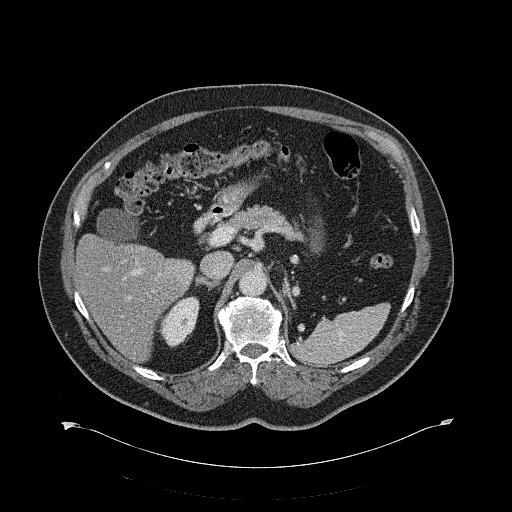
Axial slice 421 of 734 of a contrast-enhanced abdominal CT (slice 1 is the lowest), 120 kVp, kernel B31f; 2.00 mm slice thickness and 0.971 mm pixels.
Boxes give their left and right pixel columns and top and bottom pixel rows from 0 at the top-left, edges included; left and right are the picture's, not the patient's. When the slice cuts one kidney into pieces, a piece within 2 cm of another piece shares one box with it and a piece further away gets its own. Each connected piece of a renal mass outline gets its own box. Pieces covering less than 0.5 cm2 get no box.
Right kidney in the box with left 159, top 296, right 199, bottom 347 (outlined area 1,385 px, about 13.1 cm2). No renal mass is outlined on this slice.